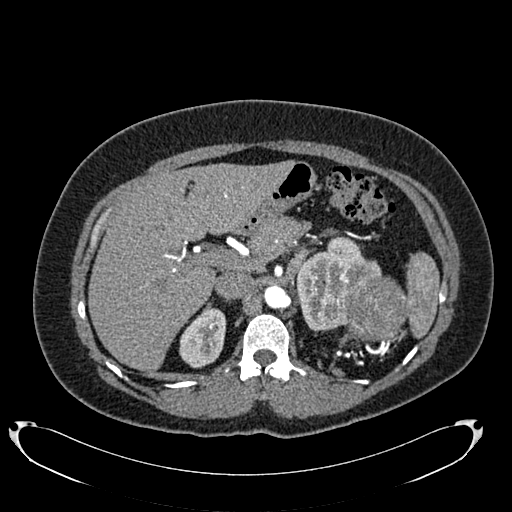
Axial slice 511 of 634 of a contrast-enhanced abdominal CT in the arterial phase (slice 1 is the lowest), 120 kVp, kernel B20f; 1.00 mm slice thickness and 0.838 mm pixels.
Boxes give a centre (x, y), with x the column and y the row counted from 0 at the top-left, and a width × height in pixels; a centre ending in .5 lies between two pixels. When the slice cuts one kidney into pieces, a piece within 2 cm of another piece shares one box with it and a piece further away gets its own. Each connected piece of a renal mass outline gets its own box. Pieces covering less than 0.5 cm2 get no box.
Three boxes on this slice (two kidney boxes and one renal mass box), listed by box centre from the image's left to its right. (1) Right kidney in a box with centre (202.5, 337.5), 48 × 62 pixels (outlined area 2,109 px, about 14.8 cm2). (2) Box centre (338.5, 283), 86 × 95 pixels: left kidney (outlined area 4,621 px, about 32.4 cm2). (3) Left renal mass in a box with centre (375, 307.5), 67 × 66 pixels (outlined area 3,459 px, about 24.3 cm2).